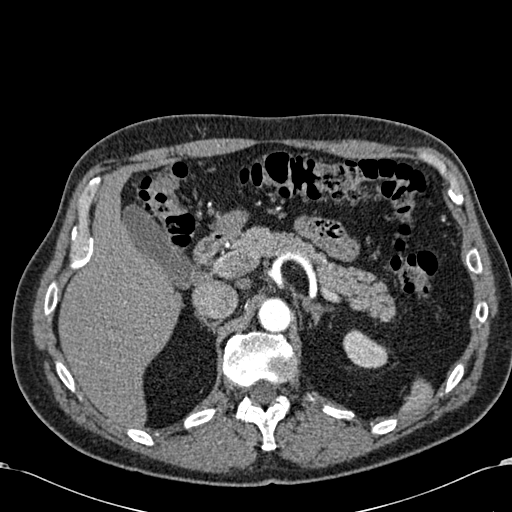
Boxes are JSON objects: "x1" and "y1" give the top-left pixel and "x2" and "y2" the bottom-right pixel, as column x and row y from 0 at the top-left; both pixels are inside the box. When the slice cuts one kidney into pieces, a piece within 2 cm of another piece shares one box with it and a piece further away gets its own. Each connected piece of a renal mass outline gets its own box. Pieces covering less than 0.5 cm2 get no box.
Arterial-phase contrast-enhanced abdominal CT, axial slice 443 of 581 (counted from the lowest slice); 1.00 mm thick, 0.713 mm per pixel. Box {"x1": 342, "y1": 329, "x2": 388, "y2": 368}: left kidney (outlined area 1,236 px, about 6.3 cm2). This slice carries no renal mass outline.
Acquired at 120 kVp and reconstructed with the B30f kernel.